One axial slice (58 of 326, counting up from the lowest) of an arterial-phase abdominal CT acquired with 120 kVp, kernel B31f; each pixel is 0.963 mm and the slice is 2.00 mm thick.
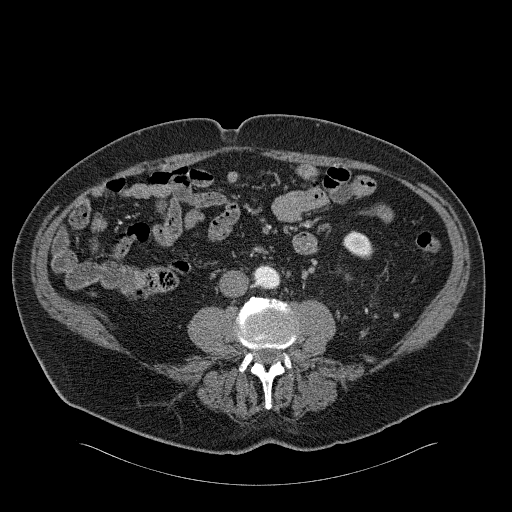
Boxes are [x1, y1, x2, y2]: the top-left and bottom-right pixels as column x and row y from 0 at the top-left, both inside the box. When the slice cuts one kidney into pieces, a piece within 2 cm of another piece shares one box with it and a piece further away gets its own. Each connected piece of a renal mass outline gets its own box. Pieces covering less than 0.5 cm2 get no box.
Left kidney, box [343, 230, 373, 258] (outlined area 603 px, about 5.6 cm2). No renal mass is outlined on this slice.